One axial slice (69 of 102, counting up from the lowest) of a contrast-enhanced abdominal CT acquired with 120 kVp, kernel B41f; each pixel is 0.807 mm and the slice is 5.00 mm thick.
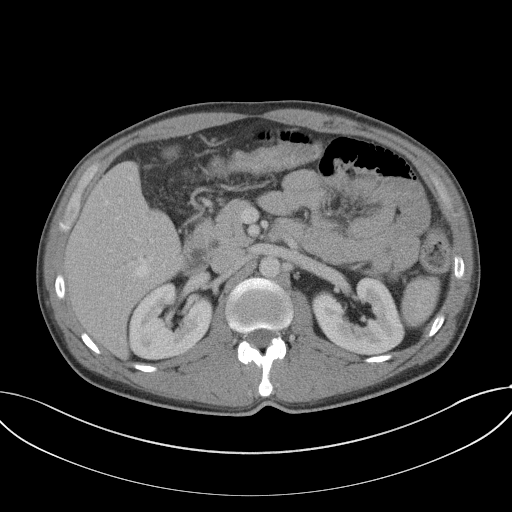
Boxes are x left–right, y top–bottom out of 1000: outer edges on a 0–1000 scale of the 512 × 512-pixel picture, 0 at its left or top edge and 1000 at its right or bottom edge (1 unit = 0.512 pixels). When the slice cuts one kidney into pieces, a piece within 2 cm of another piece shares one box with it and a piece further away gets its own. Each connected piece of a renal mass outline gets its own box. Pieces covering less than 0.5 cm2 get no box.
Two kidney boxes on this slice; by box centre, from the image's left to its right: (1) Right kidney at x 250–416, y 551–703 out of 1000 (outlined area 4,831 px, about 31.4 cm2). (2) Box x 611–793, y 539–695 out of 1000: left kidney (outlined area 4,924 px, about 32.0 cm2). No renal mass outline on this slice.